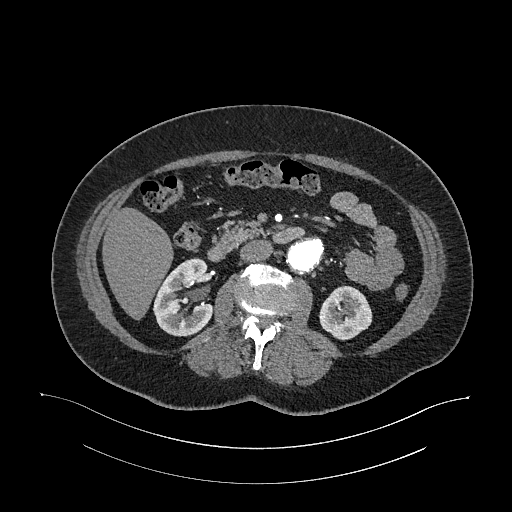
Arterial-phase contrast-enhanced abdominal CT, axial slice 624 of 987 (counted from the lowest slice); tube voltage 120 kVp, convolution kernel I26f; slices 1.00 mm thick, 0.977 mm per pixel.
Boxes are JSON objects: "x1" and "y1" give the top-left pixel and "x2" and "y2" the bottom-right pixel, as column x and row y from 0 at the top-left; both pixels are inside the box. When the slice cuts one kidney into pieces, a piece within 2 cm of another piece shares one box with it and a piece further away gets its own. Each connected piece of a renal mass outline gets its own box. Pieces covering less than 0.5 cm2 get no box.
Boxed on this slice (two kidney boxes), listed by box centre from the image's left to its right: (1) Box {"x1": 153, "y1": 258, "x2": 213, "y2": 336}: right kidney (outlined area 3,420 px, about 32.6 cm2). (2) Box {"x1": 319, "y1": 285, "x2": 372, "y2": 340}: left kidney (outlined area 2,182 px, about 20.8 cm2). No renal mass is outlined on this slice.